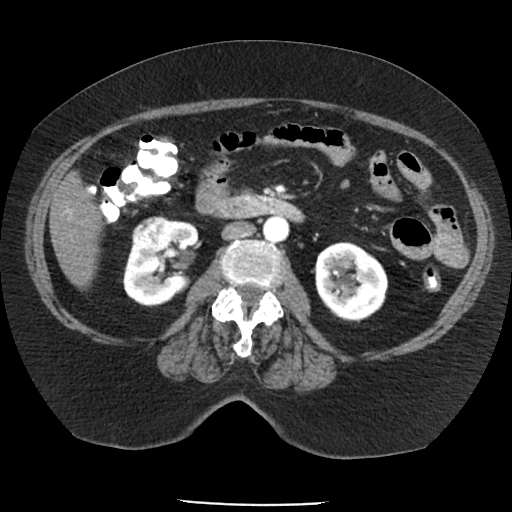
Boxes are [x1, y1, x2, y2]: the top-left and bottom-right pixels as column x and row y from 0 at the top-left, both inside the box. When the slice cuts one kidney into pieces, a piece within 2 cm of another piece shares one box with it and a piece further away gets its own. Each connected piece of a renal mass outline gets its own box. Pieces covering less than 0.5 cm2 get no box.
Slice 52/85 of a contrast-enhanced abdominal CT in the arterial phase, counting up from the lowest; pixel size 0.741 mm, slice thickness 5.00 mm. Two kidney boxes and one renal mass box on this slice; by box centre, from the image's left to its right: (1) Box [131, 216, 171, 252]: right renal mass (outlined area 1,209 px, about 6.6 cm2). (2) Right kidney, box [122, 220, 200, 305] (outlined area 3,981 px, about 21.9 cm2). (3) Left kidney, box [313, 242, 388, 321] (outlined area 4,530 px, about 24.9 cm2).
Scan settings: 120 kVp, FC19 reconstruction kernel.